Axial slice 299 of 470 of a contrast-enhanced abdominal CT (slice 1 is the lowest), 100 kVp, kernel I40f; 2.00 mm slice thickness and 0.824 mm pixels.
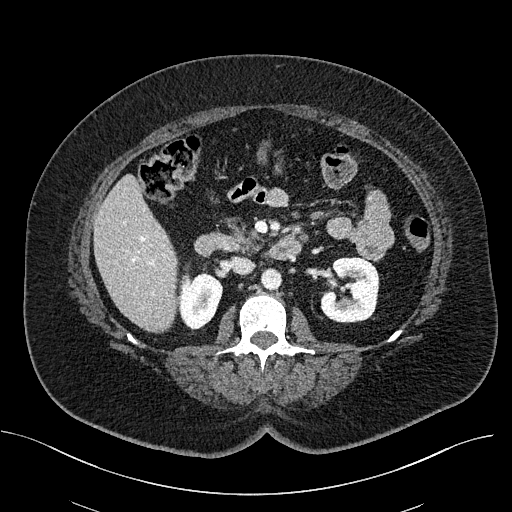
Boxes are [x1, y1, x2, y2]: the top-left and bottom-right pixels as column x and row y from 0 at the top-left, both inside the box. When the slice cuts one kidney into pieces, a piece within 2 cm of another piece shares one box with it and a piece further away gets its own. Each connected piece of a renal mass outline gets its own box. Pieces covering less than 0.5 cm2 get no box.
Two boxes on this slice (two kidney boxes), listed by box centre from the image's left to its right. (1) Right kidney at [178, 265, 222, 330] (outlined area 2,031 px, about 13.8 cm2). (2) Box [320, 257, 379, 322]: left kidney (outlined area 3,108 px, about 21.1 cm2). No renal mass outline on this slice.